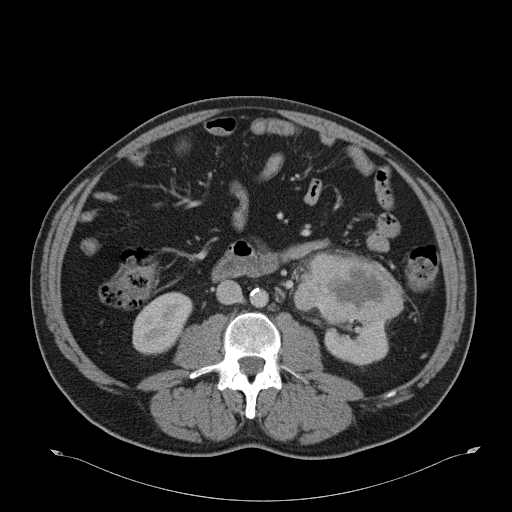
One axial slice (15 of 51, counting up from the lowest) of a contrast-enhanced abdominal CT acquired with 120 kVp, kernel B31f; each pixel is 0.865 mm and the slice is 5.00 mm thick.
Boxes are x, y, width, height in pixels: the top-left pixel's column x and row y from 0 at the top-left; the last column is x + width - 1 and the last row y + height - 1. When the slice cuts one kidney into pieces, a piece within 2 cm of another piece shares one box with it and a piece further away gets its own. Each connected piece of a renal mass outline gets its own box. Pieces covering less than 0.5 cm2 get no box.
Boxed on this slice (two kidney boxes and one renal mass box), listed by box centre from the image's left to its right: (1) Box x 132, y 292, width 62, height 64: right kidney (outlined area 2,717 px, about 20.3 cm2). (2) Left renal mass at x 293, y 253, width 111, height 71 (outlined area 5,503 px, about 41.2 cm2). (3) Left kidney at x 324, y 319, width 65, height 47 (outlined area 2,352 px, about 17.6 cm2).